One axial slice (459 of 1059, counting up from the lowest) of an arterial-phase abdominal CT acquired with 100 kVp, kernel I30f; each pixel is 0.811 mm and the slice is 1.00 mm thick.
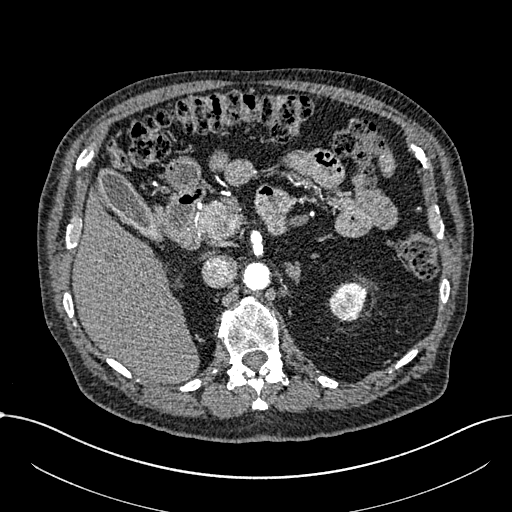
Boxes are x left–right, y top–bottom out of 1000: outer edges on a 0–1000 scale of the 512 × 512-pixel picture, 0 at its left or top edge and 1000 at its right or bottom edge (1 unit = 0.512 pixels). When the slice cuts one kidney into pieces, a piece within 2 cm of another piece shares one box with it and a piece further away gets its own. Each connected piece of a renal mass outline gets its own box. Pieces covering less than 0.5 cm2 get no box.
Box x 641–719, y 549–629 out of 1000: left part of the midline-crossing kidney (outlined area 1,180 px, about 7.8 cm2). No renal mass is outlined on this slice.